One axial slice (431 of 787, counting up from the lowest) of a contrast-enhanced abdominal CT acquired with 140 kVp, kernel I30f; each pixel is 0.910 mm and the slice is 1.00 mm thick.
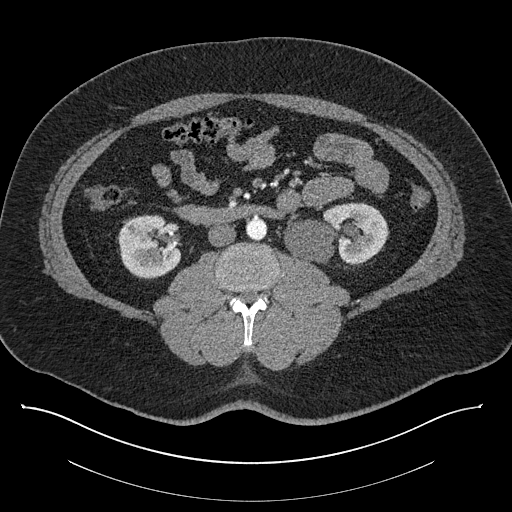
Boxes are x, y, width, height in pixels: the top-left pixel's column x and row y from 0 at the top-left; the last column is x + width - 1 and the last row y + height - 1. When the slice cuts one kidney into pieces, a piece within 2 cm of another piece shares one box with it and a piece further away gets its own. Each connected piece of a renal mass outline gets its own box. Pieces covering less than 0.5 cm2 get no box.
Boxed on this slice (two kidney boxes), listed by box centre from the image's left to its right: (1) Right kidney at x 117, y 214, width 66, height 66 (outlined area 3,184 px, about 26.4 cm2). (2) Box x 284, y 202, width 105, height 63: left kidney (outlined area 4,764 px, about 39.5 cm2). No renal mass outline on this slice.